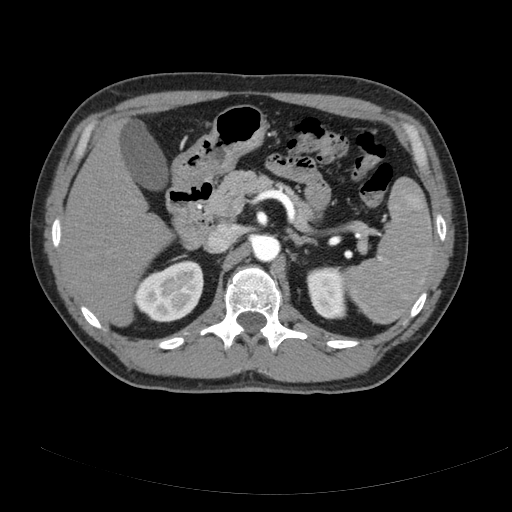
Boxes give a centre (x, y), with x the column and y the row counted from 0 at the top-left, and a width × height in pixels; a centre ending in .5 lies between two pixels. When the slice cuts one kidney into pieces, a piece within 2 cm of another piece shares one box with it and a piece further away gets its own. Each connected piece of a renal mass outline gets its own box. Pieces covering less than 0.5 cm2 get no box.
Contrast-enhanced abdominal CT, axial slice 122 of 178 (counted from the lowest slice); 3.00 mm thick, 0.818 mm per pixel. Boxed on this slice (two kidney boxes), listed by box centre from the image's left to its right: (1) Right kidney in a box with centre (168.5, 291), 70 × 63 pixels (outlined area 3,246 px, about 21.7 cm2). (2) Left kidney in a box with centre (327, 292.5), 43 × 54 pixels (outlined area 1,809 px, about 12.1 cm2). No renal mass is outlined on this slice.
Scan settings: 120 kVp, B reconstruction kernel.